Arterial-phase contrast-enhanced abdominal CT, axial slice 380 of 673 (counted from the lowest slice); tube voltage 140 kVp, convolution kernel I30f; slices 1.00 mm thick, 0.957 mm per pixel.
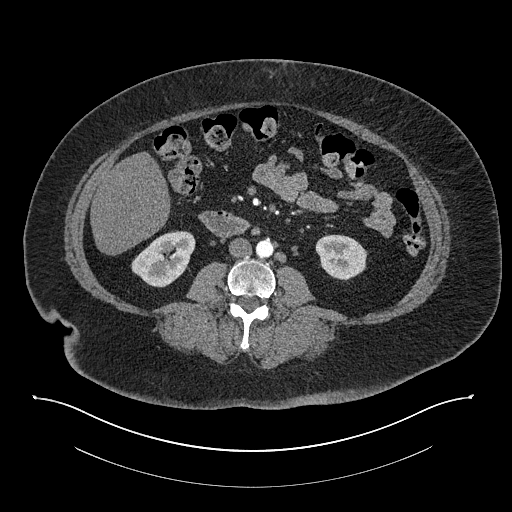
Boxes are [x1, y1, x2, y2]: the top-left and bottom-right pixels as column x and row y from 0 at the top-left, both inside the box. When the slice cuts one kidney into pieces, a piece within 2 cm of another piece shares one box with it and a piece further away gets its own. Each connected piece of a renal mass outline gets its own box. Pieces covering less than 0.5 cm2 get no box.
Two kidney boxes on this slice; by box centre, from the image's left to its right: (1) Right kidney, box [131, 231, 195, 287] (outlined area 2,480 px, about 22.7 cm2). (2) Left kidney, box [315, 234, 367, 280] (outlined area 1,829 px, about 16.8 cm2). This slice carries no renal mass outline.